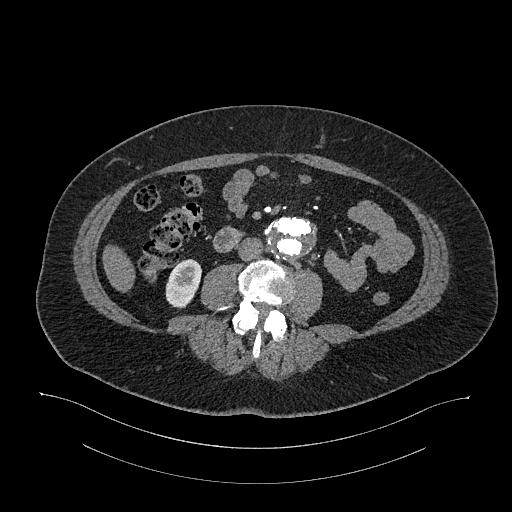
Abdominal CT with intravenous contrast, arterial phase, axial plane, 120 kVp, kernel I26f. Slice 546/987 from the bottom of the scan; thickness 1.00 mm; pixel size 0.977 mm.
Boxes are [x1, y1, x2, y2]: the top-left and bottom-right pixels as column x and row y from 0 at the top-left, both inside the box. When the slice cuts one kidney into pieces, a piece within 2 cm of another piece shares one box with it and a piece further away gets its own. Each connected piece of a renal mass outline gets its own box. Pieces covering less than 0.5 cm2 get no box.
Right kidney at [165, 259, 201, 308] (outlined area 1,339 px, about 12.8 cm2). This slice carries no renal mass outline.